Axial slice 458 of 738 of a contrast-enhanced abdominal CT in the arterial phase (slice 1 is the lowest), 120 kVp, kernel I30f; 1.00 mm slice thickness and 0.789 mm pixels.
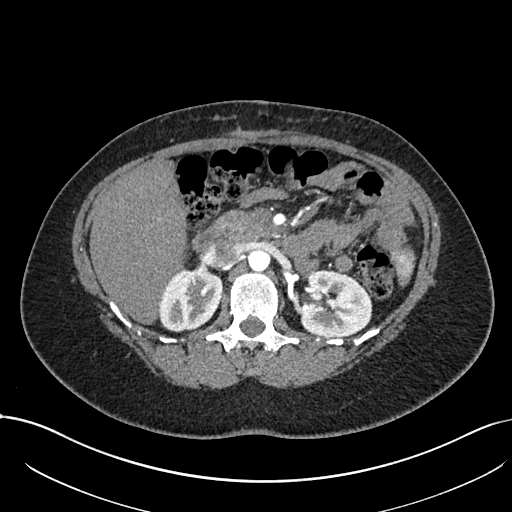
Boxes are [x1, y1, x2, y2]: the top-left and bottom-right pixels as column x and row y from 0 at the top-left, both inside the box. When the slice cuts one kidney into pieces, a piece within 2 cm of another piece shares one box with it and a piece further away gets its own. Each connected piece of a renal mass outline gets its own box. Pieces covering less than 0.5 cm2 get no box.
Two kidney boxes on this slice; by box centre, from the image's left to its right: (1) Right kidney at [158, 267, 222, 331] (outlined area 3,173 px, about 19.8 cm2). (2) Box [299, 270, 372, 337]: left kidney (outlined area 3,991 px, about 24.8 cm2). This slice carries no renal mass outline.